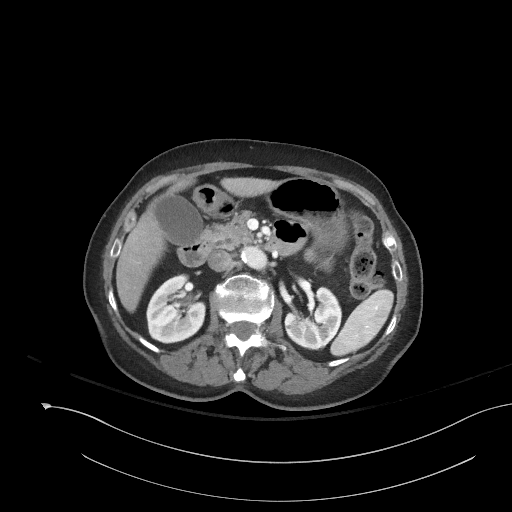
One axial slice (102 of 153, counting up from the lowest) of a contrast-enhanced abdominal CT acquired with 120 kVp, kernel I41f; each pixel is 0.893 mm and the slice is 3.00 mm thick.
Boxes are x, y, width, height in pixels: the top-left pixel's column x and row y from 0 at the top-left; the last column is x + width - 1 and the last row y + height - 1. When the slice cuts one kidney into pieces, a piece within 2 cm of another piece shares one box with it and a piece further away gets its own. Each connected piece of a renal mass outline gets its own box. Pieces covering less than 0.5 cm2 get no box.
Two boxes on this slice (two kidney boxes), listed by box centre from the image's left to its right. (1) Right kidney at x 146, y 274, width 59, height 70 (outlined area 3,045 px, about 24.3 cm2). (2) Left kidney, box x 284, y 287, width 59, height 64 (outlined area 2,546 px, about 20.3 cm2). No renal mass is outlined on this slice.